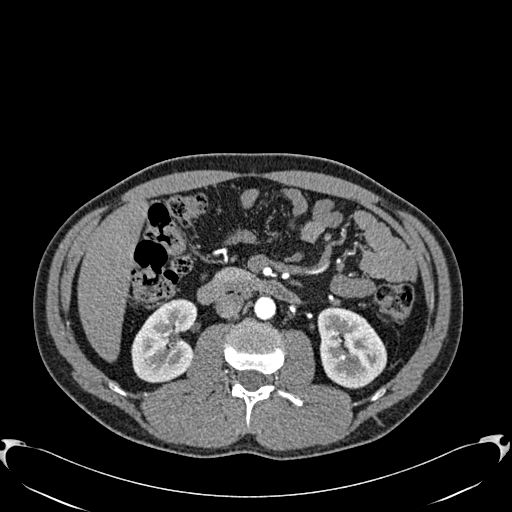
Axial slice 333 of 512 of a contrast-enhanced abdominal CT in the arterial phase (slice 1 is the lowest), 120 kVp, kernel B30f; 1.00 mm slice thickness and 0.771 mm pixels.
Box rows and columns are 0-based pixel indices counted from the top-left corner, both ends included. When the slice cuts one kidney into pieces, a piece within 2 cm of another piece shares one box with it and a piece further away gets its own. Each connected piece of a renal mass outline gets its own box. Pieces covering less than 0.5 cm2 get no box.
Two kidney boxes on this slice; by box centre, from the image's left to its right: (1) Right kidney, box rows 298–382, columns 131–197 (outlined area 4,113 px, about 24.5 cm2). (2) Box rows 306–388, columns 317–387: left kidney (outlined area 4,327 px, about 25.8 cm2). No renal mass outline on this slice.